Abdominal CT with intravenous contrast, arterial phase, axial plane, 120 kVp, kernel I26f. Slice 253/470 from the bottom of the scan; thickness 1.00 mm; pixel size 0.938 mm.
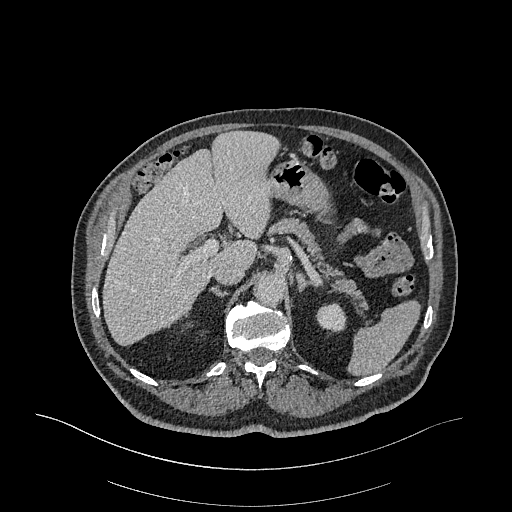
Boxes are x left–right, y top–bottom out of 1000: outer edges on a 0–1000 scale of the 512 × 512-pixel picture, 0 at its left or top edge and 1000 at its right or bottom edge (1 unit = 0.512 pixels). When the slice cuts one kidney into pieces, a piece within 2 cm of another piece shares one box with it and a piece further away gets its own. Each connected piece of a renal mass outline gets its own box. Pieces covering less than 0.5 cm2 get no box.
Left kidney, box x 617–678, y 590–650 out of 1000 (outlined area 707 px, about 6.2 cm2). No renal mass outline on this slice.